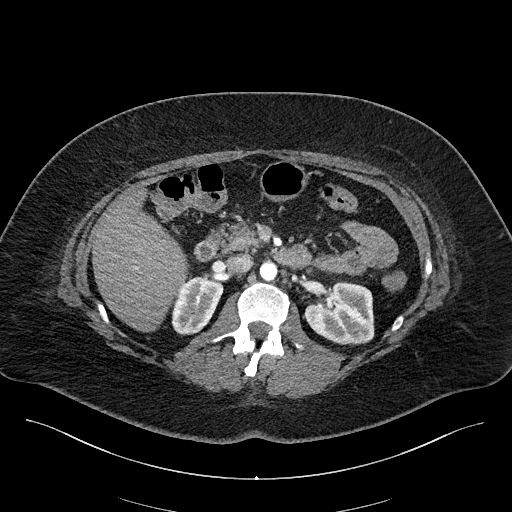
One axial slice (116 of 270, counting up from the lowest) of an arterial-phase abdominal CT acquired with 100 kVp, kernel I40f; each pixel is 0.855 mm and the slice is 2.00 mm thick.
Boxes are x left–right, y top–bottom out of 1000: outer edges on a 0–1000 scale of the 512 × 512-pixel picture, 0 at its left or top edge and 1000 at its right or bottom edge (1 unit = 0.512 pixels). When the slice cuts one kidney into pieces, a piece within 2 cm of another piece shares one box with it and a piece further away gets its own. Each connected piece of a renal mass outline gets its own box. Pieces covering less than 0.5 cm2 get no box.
Two kidney boxes on this slice; by box centre, from the image's left to its right: (1) Right kidney, box x 334–438, y 539–654 out of 1000 (outlined area 2,180 px, about 16.0 cm2). (2) Left kidney at x 592–732, y 549–674 out of 1000 (outlined area 3,487 px, about 25.5 cm2). No renal mass outline on this slice.